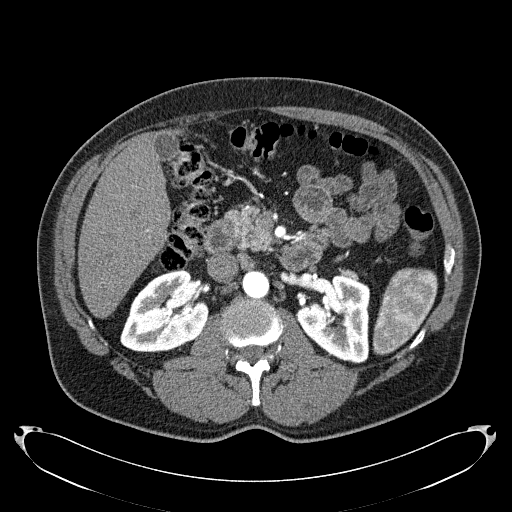
Abdominal CT with intravenous contrast, arterial phase, axial plane, 120 kVp, kernel B31f. Slice 124/279 from the bottom of the scan; thickness 2.00 mm; pixel size 0.824 mm.
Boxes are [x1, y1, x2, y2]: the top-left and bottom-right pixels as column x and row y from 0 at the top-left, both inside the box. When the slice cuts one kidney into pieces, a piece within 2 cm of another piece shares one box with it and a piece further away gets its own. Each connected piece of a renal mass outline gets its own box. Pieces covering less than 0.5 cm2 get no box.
Two boxes on this slice (two kidney boxes), listed by box centre from the image's left to its right. (1) Box [120, 268, 208, 352]: right kidney (outlined area 5,260 px, about 35.7 cm2). (2) Left kidney, box [295, 275, 370, 363] (outlined area 4,711 px, about 32.0 cm2). No renal mass outline on this slice.